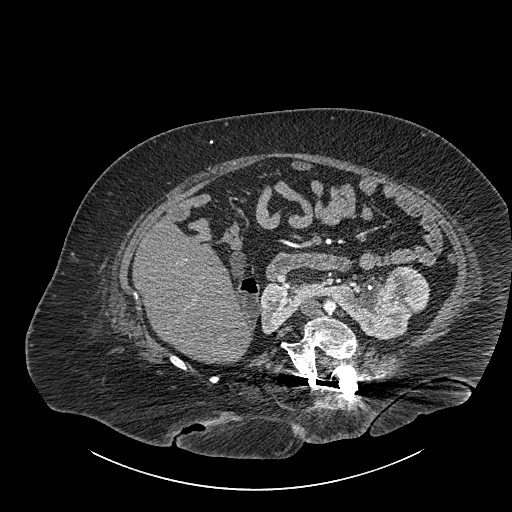
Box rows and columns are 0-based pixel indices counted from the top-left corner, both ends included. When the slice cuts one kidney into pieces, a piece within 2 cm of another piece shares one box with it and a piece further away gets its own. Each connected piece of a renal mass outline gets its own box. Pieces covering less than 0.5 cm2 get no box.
Contrast-enhanced abdominal CT, axial slice 518 of 834 (counted from the lowest slice); 1.00 mm thick, 0.977 mm per pixel. One kidney box and one renal mass box on this slice; by box centre, from the image's left to its right: (1) Box rows 280–339, columns 260–415: kidney crossing the body midline (outlined area 4,677 px, about 44.6 cm2). (2) Renal mass at rows 266–313, columns 383–429 (outlined area 1,821 px, about 17.4 cm2).
Scan settings: 140 kVp, I30f reconstruction kernel.